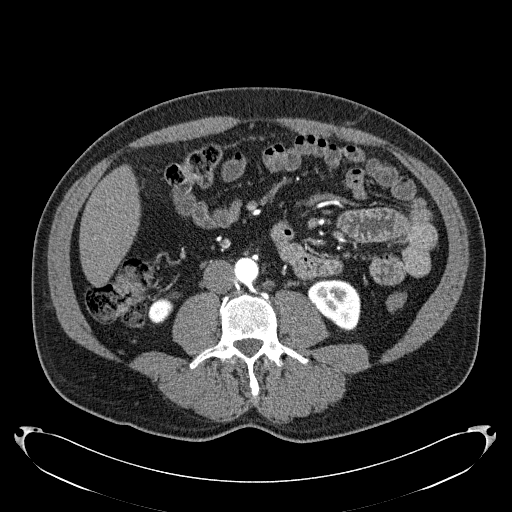
One axial slice (73 of 279, counting up from the lowest) of an arterial-phase abdominal CT acquired with 120 kVp, kernel B31f; each pixel is 0.824 mm and the slice is 2.00 mm thick.
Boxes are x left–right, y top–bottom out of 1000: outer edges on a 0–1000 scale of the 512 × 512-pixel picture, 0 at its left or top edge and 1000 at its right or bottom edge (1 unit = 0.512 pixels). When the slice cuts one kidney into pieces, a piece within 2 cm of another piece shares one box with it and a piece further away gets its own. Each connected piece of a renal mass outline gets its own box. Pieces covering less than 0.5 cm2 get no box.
Two kidney boxes on this slice; by box centre, from the image's left to its right: (1) Right kidney, box x 289–352, y 570–633 out of 1000 (outlined area 542 px, about 3.7 cm2). (2) Box x 600–705, y 545–648 out of 1000: left kidney (outlined area 2,008 px, about 13.6 cm2). This slice carries no renal mass outline.